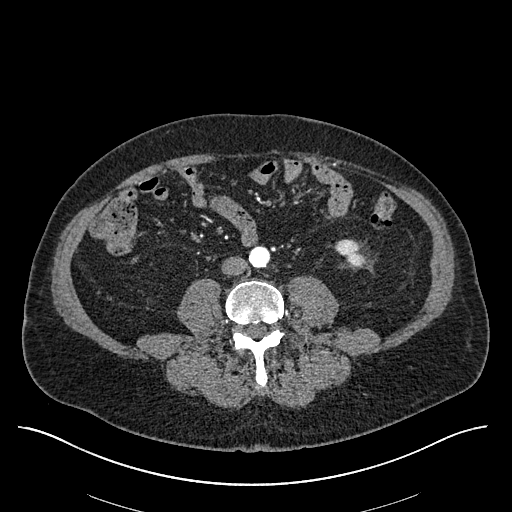
Axial slice 204 of 670 of a contrast-enhanced abdominal CT in the arterial phase (slice 1 is the lowest), 120 kVp, kernel I30f; 1.00 mm slice thickness and 0.861 mm pixels.
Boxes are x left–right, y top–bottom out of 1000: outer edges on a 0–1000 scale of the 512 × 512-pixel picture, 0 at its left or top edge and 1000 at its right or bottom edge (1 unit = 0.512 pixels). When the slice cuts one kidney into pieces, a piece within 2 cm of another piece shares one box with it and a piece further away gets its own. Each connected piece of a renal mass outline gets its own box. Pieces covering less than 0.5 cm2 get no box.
Left kidney at x 654–717, y 467–523 out of 1000 (outlined area 575 px, about 4.3 cm2). This slice carries no renal mass outline.